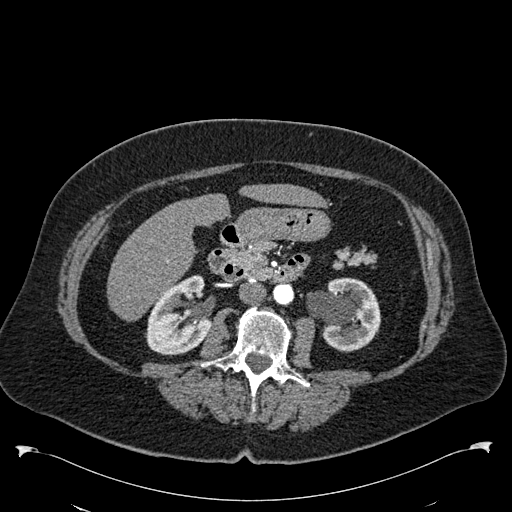
Arterial-phase contrast-enhanced abdominal CT, axial slice 298 of 538 (counted from the lowest slice); tube voltage 120 kVp, convolution kernel B30f; slices 1.00 mm thick, 0.811 mm per pixel.
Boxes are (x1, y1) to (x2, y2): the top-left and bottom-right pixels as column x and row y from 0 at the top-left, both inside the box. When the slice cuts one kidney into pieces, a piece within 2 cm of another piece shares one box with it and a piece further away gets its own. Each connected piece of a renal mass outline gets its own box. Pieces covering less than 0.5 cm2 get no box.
Two boxes on this slice (two kidney boxes), listed by box centre from the image's left to its right. (1) Right kidney, box (145, 275) to (212, 355) (outlined area 3,755 px, about 24.7 cm2). (2) Left kidney, box (307, 277) to (380, 352) (outlined area 3,976 px, about 26.1 cm2). This slice carries no renal mass outline.